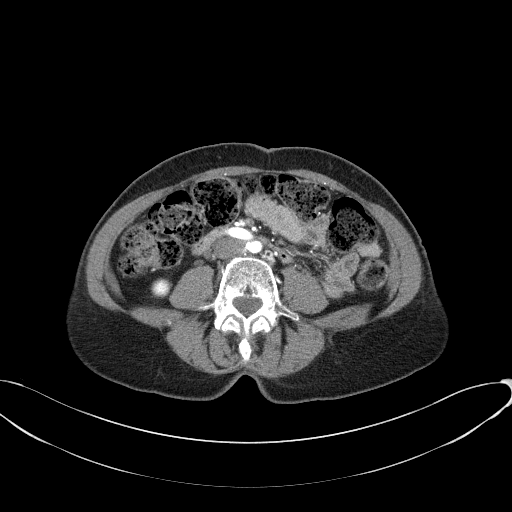
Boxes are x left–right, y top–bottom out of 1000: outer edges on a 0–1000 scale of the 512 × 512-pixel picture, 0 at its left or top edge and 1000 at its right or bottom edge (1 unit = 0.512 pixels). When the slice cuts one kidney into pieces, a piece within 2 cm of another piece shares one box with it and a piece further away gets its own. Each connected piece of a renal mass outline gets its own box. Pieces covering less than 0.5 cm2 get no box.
Arterial-phase contrast-enhanced abdominal CT, axial slice 13 of 77 (counted from the lowest slice); 3.00 mm thick, 0.809 mm per pixel. Box x 295–336, y 543–582 out of 1000: right kidney (outlined area 332 px, about 2.2 cm2). No renal mass is outlined on this slice.
Tube voltage 100 kVp; convolution kernel B41f.